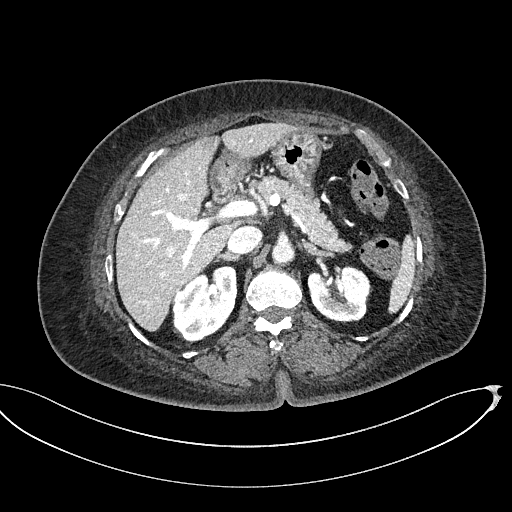
Axial slice 330 of 439 of a contrast-enhanced abdominal CT (slice 1 is the lowest), 100 kVp, kernel I40f; 2.00 mm slice thickness and 0.850 mm pixels.
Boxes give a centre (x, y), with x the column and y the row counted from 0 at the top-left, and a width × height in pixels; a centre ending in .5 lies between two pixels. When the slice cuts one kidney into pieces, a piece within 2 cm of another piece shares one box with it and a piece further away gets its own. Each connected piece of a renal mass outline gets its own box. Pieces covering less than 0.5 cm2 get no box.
Boxed on this slice (two kidney boxes and one renal mass box), listed by box centre from the image's left to its right: (1) Right renal mass, box centre (179, 300), 13 × 21 pixels (outlined area 192 px, about 1.4 cm2). (2) Right kidney in a box with centre (204.5, 305.5), 66 × 82 pixels (outlined area 3,389 px, about 24.5 cm2). (3) Left kidney, box centre (340, 294.5), 65 × 58 pixels (outlined area 2,843 px, about 20.5 cm2).